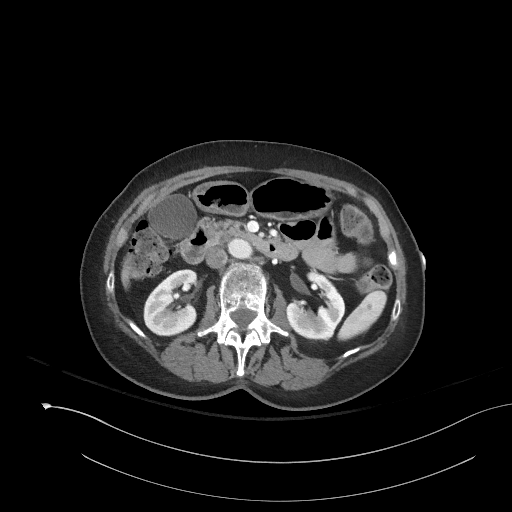
Contrast-enhanced abdominal CT, axial slice 97 of 153 (counted from the lowest slice); tube voltage 120 kVp, convolution kernel I41f; slices 3.00 mm thick, 0.893 mm per pixel.
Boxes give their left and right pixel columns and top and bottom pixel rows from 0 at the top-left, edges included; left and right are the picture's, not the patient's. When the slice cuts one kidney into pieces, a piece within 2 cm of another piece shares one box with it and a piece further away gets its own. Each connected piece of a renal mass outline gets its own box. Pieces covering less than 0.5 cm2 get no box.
Boxed on this slice (two kidney boxes), listed by box centre from the image's left to its right: (1) Right kidney in the box with left 143, top 269, right 197, bottom 336 (outlined area 2,838 px, about 22.6 cm2). (2) Left kidney in the box with left 286, top 272, right 345, bottom 341 (outlined area 2,604 px, about 20.7 cm2). No renal mass outline on this slice.